One axial slice (496 of 553, counting up from the lowest) of an arterial-phase abdominal CT acquired with 120 kVp, kernel B20f; each pixel is 0.773 mm and the slice is 1.00 mm thick.
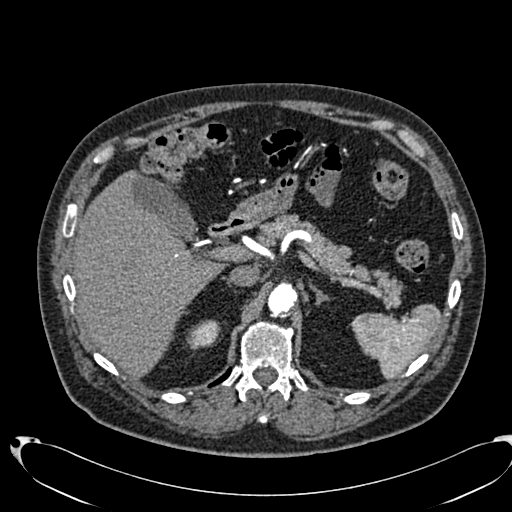
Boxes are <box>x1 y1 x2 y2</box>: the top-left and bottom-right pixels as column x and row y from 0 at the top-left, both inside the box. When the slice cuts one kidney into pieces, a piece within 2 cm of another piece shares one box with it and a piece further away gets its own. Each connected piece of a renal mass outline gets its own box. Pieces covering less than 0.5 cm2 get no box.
Right kidney: <box>186 320 220 349</box> (outlined area 735 px, about 4.4 cm2). No renal mass is outlined on this slice.